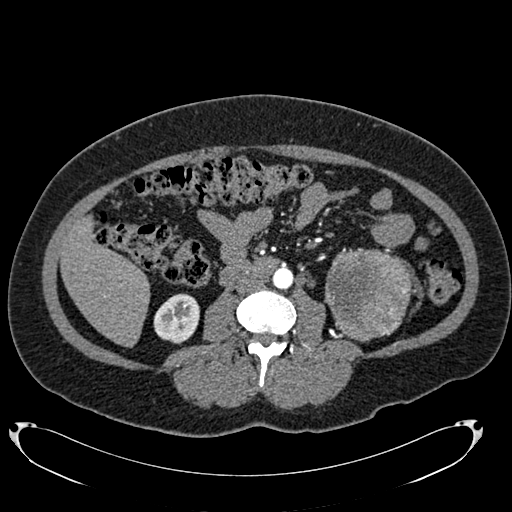
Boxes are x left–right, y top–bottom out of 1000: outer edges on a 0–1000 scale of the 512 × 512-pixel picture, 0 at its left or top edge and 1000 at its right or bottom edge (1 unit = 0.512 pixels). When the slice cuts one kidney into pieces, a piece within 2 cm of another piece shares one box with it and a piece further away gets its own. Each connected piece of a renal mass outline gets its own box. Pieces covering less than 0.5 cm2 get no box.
Arterial-phase contrast-enhanced abdominal CT, axial slice 350 of 634 (counted from the lowest slice); 1.00 mm thick, 0.838 mm per pixel. One kidney box and one renal mass box on this slice; by box centre, from the image's left to its right: (1) Right kidney, box x 299–391, y 572–674 out of 1000 (outlined area 1,795 px, about 12.6 cm2). (2) Left renal mass, box x 633–811, y 484–668 out of 1000 (outlined area 6,482 px, about 45.5 cm2); on this slice it lies more than 1 cm from any kidney outline, but the same outlined renal mass comes within 1 cm of the kidney on another slice.
Acquired at 120 kVp and reconstructed with the B20f kernel.